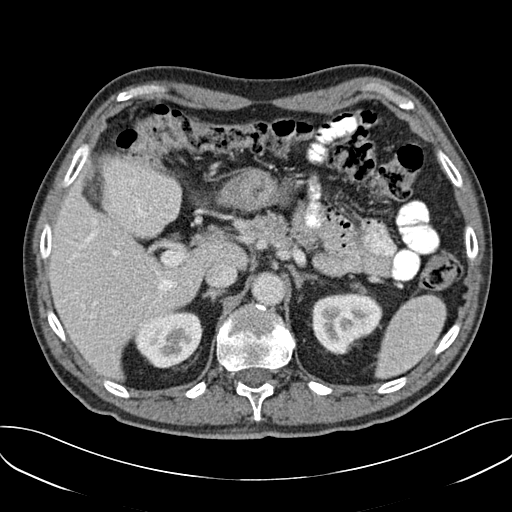
One axial slice (118 of 157, counting up from the lowest) of an arterial-phase abdominal CT acquired with 120 kVp, kernel B30f; each pixel is 0.742 mm and the slice is 3.00 mm thick.
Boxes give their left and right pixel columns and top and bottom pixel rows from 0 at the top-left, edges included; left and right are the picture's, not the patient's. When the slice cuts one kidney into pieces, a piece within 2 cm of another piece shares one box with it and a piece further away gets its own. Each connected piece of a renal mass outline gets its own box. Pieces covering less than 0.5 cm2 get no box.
Boxed on this slice (two kidney boxes), listed by box centre from the image's left to its right: (1) Box with left 134, top 311, right 201, bottom 368: right kidney (outlined area 3,027 px, about 16.7 cm2). (2) Left kidney in the box with left 311, top 293, right 382, bottom 354 (outlined area 3,217 px, about 17.7 cm2). No renal mass is outlined on this slice.